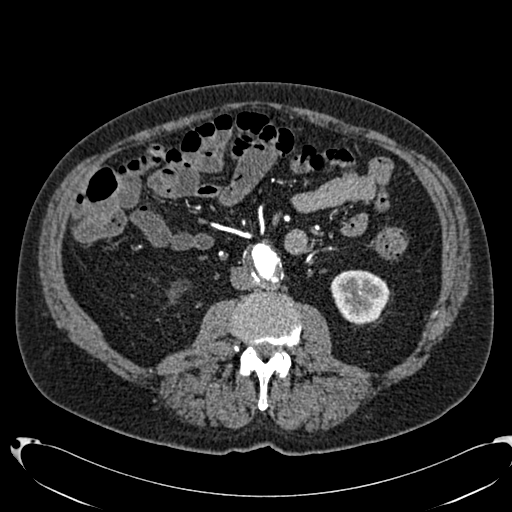
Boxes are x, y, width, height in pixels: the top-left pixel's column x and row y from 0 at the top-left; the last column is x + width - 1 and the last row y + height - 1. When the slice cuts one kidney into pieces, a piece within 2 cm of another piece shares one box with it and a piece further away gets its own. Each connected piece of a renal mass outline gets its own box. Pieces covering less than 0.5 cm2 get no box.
Arterial-phase contrast-enhanced abdominal CT, axial slice 344 of 553 (counted from the lowest slice); 1.00 mm thick, 0.773 mm per pixel. Left kidney at x 330, y 270, width 59, height 55 (outlined area 2,464 px, about 14.7 cm2). This slice carries no renal mass outline.
Scan settings: 120 kVp, B20f reconstruction kernel.